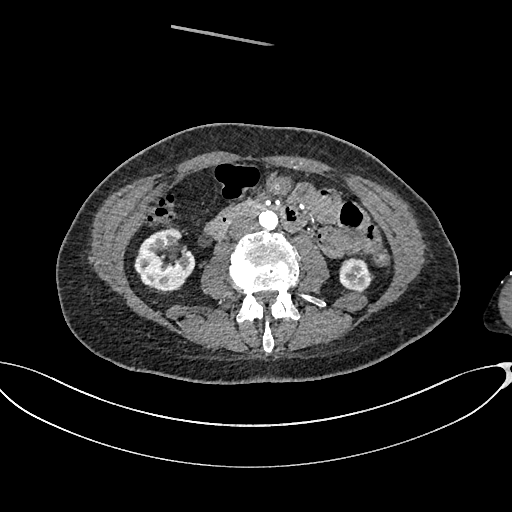
Axial slice 323 of 665 of a contrast-enhanced abdominal CT in the arterial phase (slice 1 is the lowest), 100 kVp, kernel I26f; 1.00 mm slice thickness and 0.828 mm pixels.
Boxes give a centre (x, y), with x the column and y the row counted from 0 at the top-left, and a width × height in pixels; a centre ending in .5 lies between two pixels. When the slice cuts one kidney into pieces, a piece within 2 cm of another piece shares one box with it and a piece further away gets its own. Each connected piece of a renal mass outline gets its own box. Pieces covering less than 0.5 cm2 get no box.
Two kidney boxes on this slice; by box centre, from the image's left to its right: (1) Box centre (164.5, 260.5), 62 × 66 pixels: right kidney (outlined area 2,858 px, about 19.6 cm2). (2) Left kidney, box centre (356, 274), 35 × 35 pixels (outlined area 903 px, about 6.2 cm2). No renal mass is outlined on this slice.